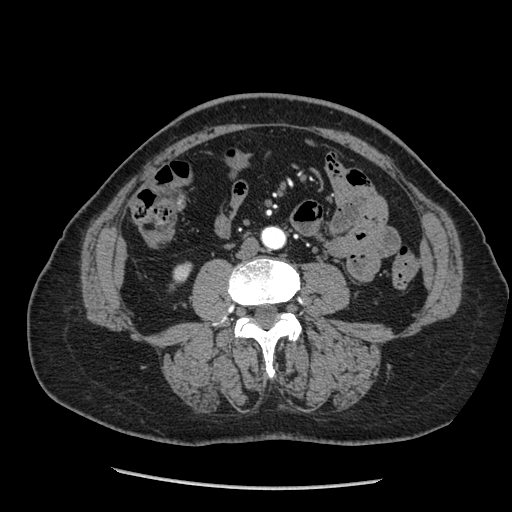
One axial slice (82 of 233, counting up from the lowest) of an arterial-phase abdominal CT acquired with 120 kVp, kernel STANDARD; each pixel is 0.703 mm and the slice is 1.25 mm thick.
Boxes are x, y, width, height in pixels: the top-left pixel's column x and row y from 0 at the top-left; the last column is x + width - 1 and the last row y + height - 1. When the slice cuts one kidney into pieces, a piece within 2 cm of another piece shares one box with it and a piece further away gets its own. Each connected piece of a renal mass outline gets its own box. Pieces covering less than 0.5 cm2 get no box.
Right kidney, box x 170, y 261, width 23, height 29 (outlined area 354 px, about 1.8 cm2). No renal mass is outlined on this slice.